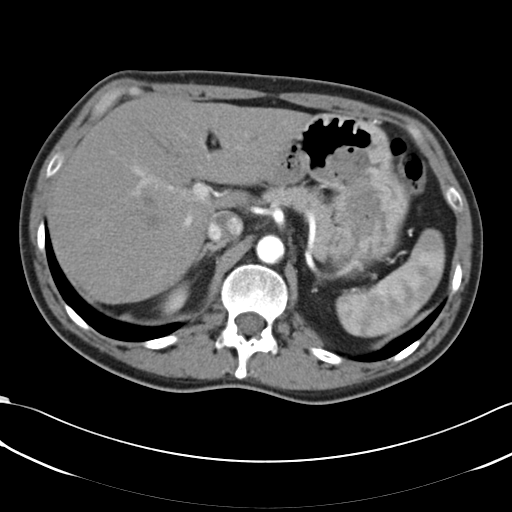
One axial slice (47 of 66, counting up from the lowest) of an arterial-phase abdominal CT acquired with 120 kVp, kernel B30f; each pixel is 0.678 mm and the slice is 5.00 mm thick.
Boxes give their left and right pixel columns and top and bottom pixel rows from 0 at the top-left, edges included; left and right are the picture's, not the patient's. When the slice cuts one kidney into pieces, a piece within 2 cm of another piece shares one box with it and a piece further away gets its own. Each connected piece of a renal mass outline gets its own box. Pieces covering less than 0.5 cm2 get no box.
Right kidney in the box with left 158, top 280, right 190, bottom 312 (outlined area 557 px, about 2.6 cm2). This slice carries no renal mass outline.